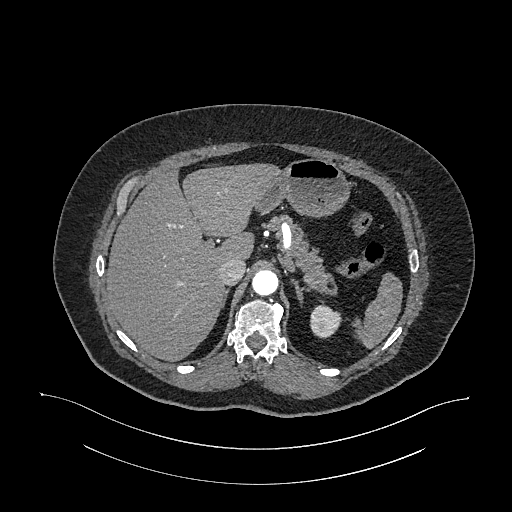
Arterial-phase contrast-enhanced abdominal CT, axial slice 792 of 987 (counted from the lowest slice); tube voltage 120 kVp, convolution kernel I26f; slices 1.00 mm thick, 0.977 mm per pixel.
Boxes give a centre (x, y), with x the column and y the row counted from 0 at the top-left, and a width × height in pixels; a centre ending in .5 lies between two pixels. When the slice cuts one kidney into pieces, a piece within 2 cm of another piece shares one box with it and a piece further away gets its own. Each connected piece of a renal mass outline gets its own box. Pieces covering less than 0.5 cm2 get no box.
Left kidney in a box with centre (325.5, 321), 32 × 35 pixels (outlined area 820 px, about 7.8 cm2). This slice carries no renal mass outline.